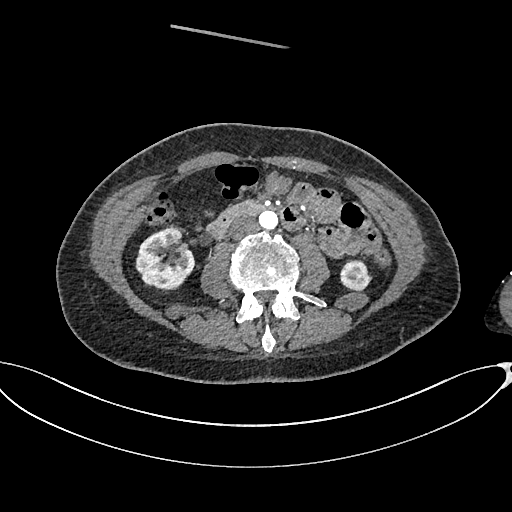
Abdominal CT with intravenous contrast, arterial phase, axial plane, 100 kVp, kernel I26f. Slice 320/665 from the bottom of the scan; thickness 1.00 mm; pixel size 0.828 mm.
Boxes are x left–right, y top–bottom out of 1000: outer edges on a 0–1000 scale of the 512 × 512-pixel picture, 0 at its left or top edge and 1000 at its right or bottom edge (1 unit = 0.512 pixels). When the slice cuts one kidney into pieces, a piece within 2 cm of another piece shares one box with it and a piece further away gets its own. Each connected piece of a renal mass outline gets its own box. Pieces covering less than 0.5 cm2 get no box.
Boxed on this slice (two kidney boxes), listed by box centre from the image's left to its right: (1) Right kidney at x 264–381, y 445–574 out of 1000 (outlined area 2,797 px, about 19.2 cm2). (2) Left kidney at x 664–729, y 506–570 out of 1000 (outlined area 783 px, about 5.4 cm2). No renal mass is outlined on this slice.